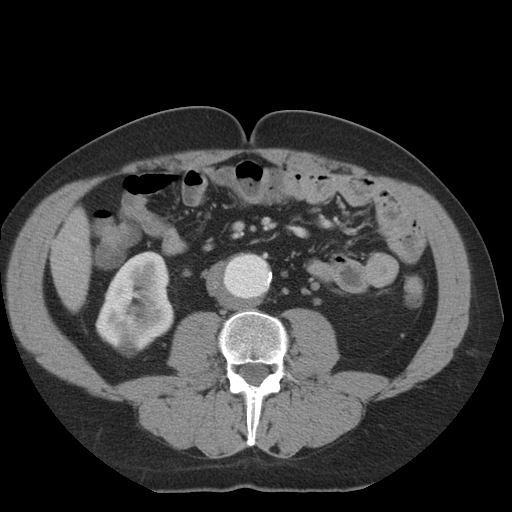
Abdominal CT with intravenous contrast, arterial phase, axial plane, 140 kVp, kernel STANDARD. Slice 5/36 from the bottom of the scan; thickness 5.00 mm; pixel size 0.703 mm.
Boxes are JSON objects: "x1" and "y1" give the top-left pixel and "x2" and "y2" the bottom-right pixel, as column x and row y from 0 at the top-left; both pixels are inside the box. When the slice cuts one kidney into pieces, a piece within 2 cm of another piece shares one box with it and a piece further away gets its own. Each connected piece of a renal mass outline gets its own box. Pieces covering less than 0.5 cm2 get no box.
Right kidney at {"x1": 95, "y1": 251, "x2": 174, "y2": 357} (outlined area 5,842 px, about 28.9 cm2). No renal mass is outlined on this slice.